One axial slice (302 of 673, counting up from the lowest) of an arterial-phase abdominal CT acquired with 120 kVp, kernel I30f; each pixel is 0.855 mm and the slice is 1.00 mm thick.
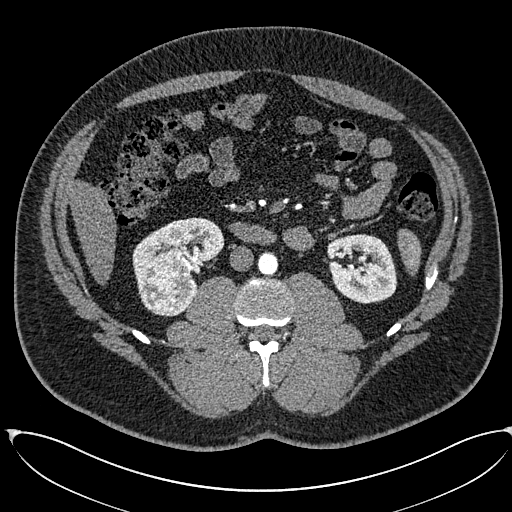
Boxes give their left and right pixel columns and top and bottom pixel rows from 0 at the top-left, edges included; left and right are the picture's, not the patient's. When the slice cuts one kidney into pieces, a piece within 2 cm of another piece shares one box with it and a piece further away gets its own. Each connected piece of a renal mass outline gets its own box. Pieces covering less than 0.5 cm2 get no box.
Two kidney boxes and one renal mass box on this slice; by box centre, from the image's left to its right: (1) Right renal mass in the box with left 141, top 248, right 191, bottom 316 (outlined area 2,726 px, about 19.9 cm2). (2) Right kidney, the box with left 132, top 217, right 223, bottom 312 (outlined area 3,558 px, about 26.0 cm2). (3) Left kidney, the box with left 326, top 234, right 397, bottom 303 (outlined area 3,863 px, about 28.3 cm2).